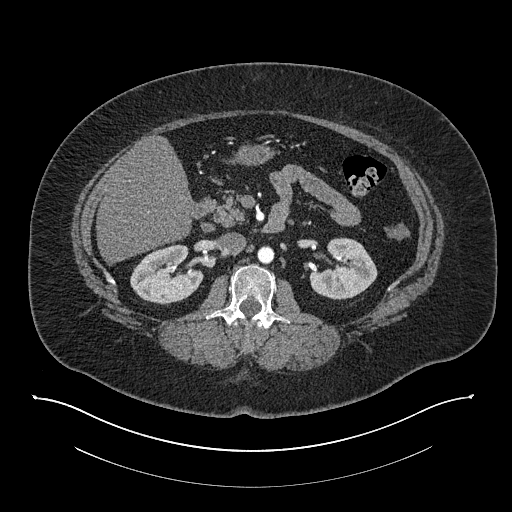
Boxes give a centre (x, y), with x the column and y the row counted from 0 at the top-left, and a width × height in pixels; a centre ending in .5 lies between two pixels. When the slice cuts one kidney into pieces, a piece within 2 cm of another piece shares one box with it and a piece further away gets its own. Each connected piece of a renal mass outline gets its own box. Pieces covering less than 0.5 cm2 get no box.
This is axial slice 466 of 673 (slice 1 is the lowest) of an arterial-phase abdominal CT with contrast; each pixel is 0.957 mm and the slice is 1.00 mm thick. Two kidney boxes on this slice; by box centre, from the image's left to its right: (1) Right kidney, box centre (166.5, 274), 74 × 61 pixels (outlined area 3,172 px, about 29.1 cm2). (2) Box centre (343, 268), 69 × 63 pixels: left kidney (outlined area 2,974 px, about 27.2 cm2). This slice carries no renal mass outline.
Acquired at 140 kVp and reconstructed with the I30f kernel.